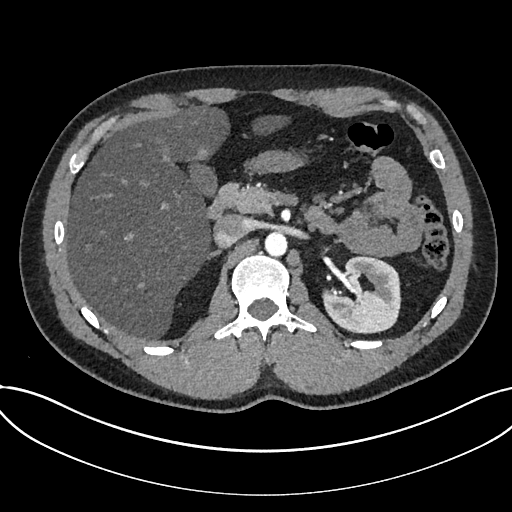
Abdominal CT with intravenous contrast, arterial phase, axial plane, 120 kVp, kernel I30f. Slice 482/735 from the bottom of the scan; thickness 1.00 mm; pixel size 0.789 mm.
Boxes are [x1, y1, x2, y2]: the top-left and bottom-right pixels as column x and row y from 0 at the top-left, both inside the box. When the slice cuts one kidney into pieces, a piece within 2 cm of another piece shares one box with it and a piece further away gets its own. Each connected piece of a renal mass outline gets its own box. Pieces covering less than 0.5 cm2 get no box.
Kidney, box [322, 254, 401, 333] (outlined area 4,616 px, about 28.7 cm2). No renal mass outline on this slice.